One axial slice (414 of 683, counting up from the lowest) of an arterial-phase abdominal CT acquired with 120 kVp, kernel I30f; each pixel is 0.738 mm and the slice is 1.00 mm thick.
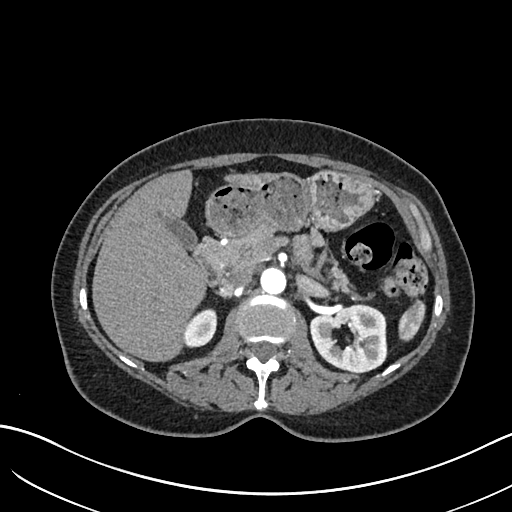
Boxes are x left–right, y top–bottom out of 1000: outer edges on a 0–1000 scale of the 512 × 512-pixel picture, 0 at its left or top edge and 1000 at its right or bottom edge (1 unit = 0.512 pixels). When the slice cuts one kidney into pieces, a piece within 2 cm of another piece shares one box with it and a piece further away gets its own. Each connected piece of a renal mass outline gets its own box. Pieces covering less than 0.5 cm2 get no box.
Two kidney boxes on this slice; by box centre, from the image's left to its right: (1) Right kidney at x 361–426, y 602–680 out of 1000 (outlined area 1,002 px, about 5.5 cm2). (2) Left kidney at x 604–758, y 592–730 out of 1000 (outlined area 4,078 px, about 22.2 cm2). No renal mass outline on this slice.